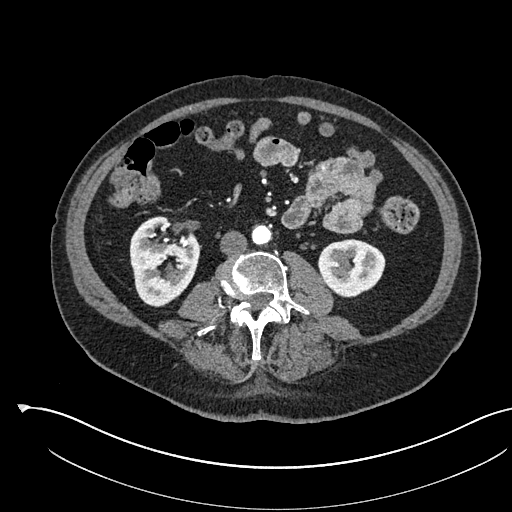
One axial slice (254 of 541, counting up from the lowest) of an arterial-phase abdominal CT acquired with 120 kVp, kernel I30f; each pixel is 0.834 mm and the slice is 1.00 mm thick.
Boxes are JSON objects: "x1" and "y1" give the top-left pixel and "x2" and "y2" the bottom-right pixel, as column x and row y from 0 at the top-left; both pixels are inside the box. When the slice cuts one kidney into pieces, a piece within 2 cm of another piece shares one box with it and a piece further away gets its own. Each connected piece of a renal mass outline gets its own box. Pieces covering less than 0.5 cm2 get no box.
Two boxes on this slice (two kidney boxes), listed by box centre from the image's left to its right. (1) Right kidney at {"x1": 129, "y1": 216, "x2": 199, "y2": 307} (outlined area 4,648 px, about 32.3 cm2). (2) Left kidney at {"x1": 318, "y1": 239, "x2": 385, "y2": 297} (outlined area 3,025 px, about 21.0 cm2). No renal mass is outlined on this slice.